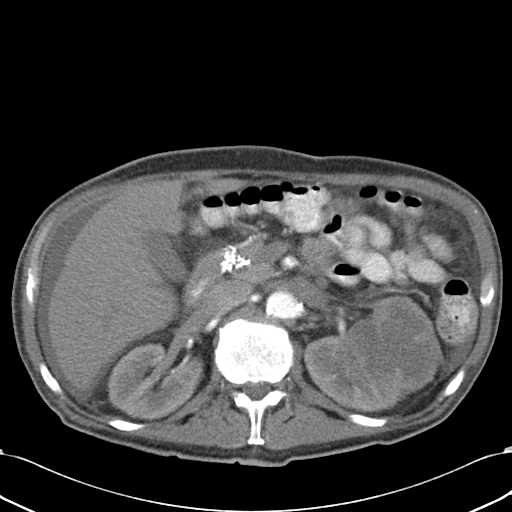
Contrast-enhanced abdominal CT, axial slice 18 of 43 (counted from the lowest slice); tube voltage 120 kVp, convolution kernel B31f; slices 5.00 mm thick, 0.701 mm per pixel.
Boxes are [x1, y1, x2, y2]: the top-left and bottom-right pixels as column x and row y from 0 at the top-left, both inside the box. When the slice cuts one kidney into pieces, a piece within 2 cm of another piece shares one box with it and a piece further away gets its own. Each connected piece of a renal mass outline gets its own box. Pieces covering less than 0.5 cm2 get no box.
Two kidney boxes and one renal mass box on this slice; by box centre, from the image's left to its right: (1) Box [106, 342, 203, 420]: right kidney (outlined area 5,594 px, about 27.5 cm2). (2) Left kidney at [303, 328, 388, 412] (outlined area 3,491 px, about 17.2 cm2). (3) Left renal mass, box [349, 296, 441, 408] (outlined area 7,244 px, about 35.6 cm2).